Axial slice 95 of 153 of a contrast-enhanced abdominal CT (slice 1 is the lowest), 120 kVp, kernel I41f; 3.00 mm slice thickness and 0.893 mm pixels.
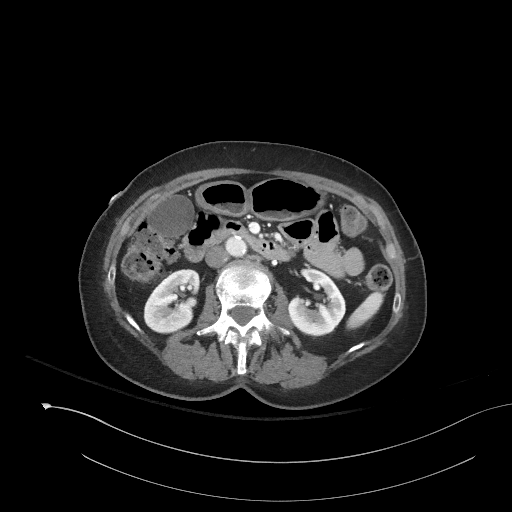
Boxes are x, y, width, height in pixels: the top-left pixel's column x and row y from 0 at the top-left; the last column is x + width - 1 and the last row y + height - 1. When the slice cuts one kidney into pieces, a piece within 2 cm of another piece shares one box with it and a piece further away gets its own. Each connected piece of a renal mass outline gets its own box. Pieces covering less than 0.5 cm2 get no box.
Two boxes on this slice (two kidney boxes), listed by box centre from the image's left to its right. (1) Box x 143, y 269, width 58, height 64: right kidney (outlined area 2,620 px, about 20.9 cm2). (2) Box x 288, y 269, width 58, height 69: left kidney (outlined area 2,671 px, about 21.3 cm2). This slice carries no renal mass outline.